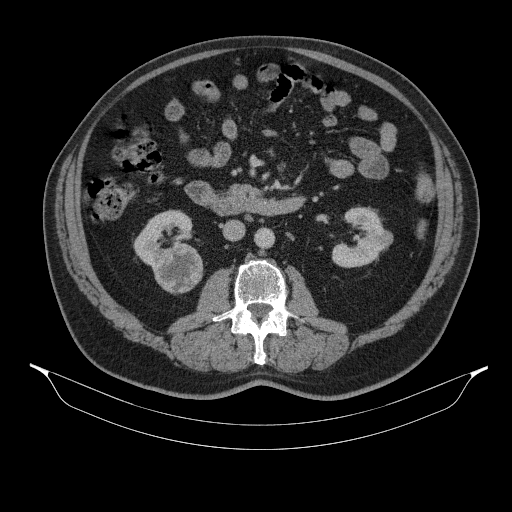
One axial slice (189 of 314, counting up from the lowest) of a contrast-enhanced abdominal CT acquired with 130 kVp, kernel B31s; each pixel is 0.934 mm and the slice is 2.50 mm thick.
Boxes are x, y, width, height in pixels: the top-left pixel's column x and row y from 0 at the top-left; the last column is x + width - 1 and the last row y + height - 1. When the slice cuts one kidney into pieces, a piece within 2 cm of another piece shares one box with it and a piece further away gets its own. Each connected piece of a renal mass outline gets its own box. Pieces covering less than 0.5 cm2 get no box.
Three boxes on this slice (two kidney boxes and one renal mass box), listed by box centre from the image's left to its right. (1) Box x 133, y 209, width 60, height 61: right kidney (outlined area 1,937 px, about 16.9 cm2). (2) Right renal mass, box x 153, y 243, width 51, height 52 (outlined area 1,997 px, about 17.4 cm2). (3) Left kidney, box x 332, y 207, width 61, height 61 (outlined area 2,325 px, about 20.3 cm2).